Arterial-phase contrast-enhanced abdominal CT, axial slice 57 of 98 (counted from the lowest slice); tube voltage 120 kVp, convolution kernel B; slices 5.00 mm thick, 0.703 mm per pixel.
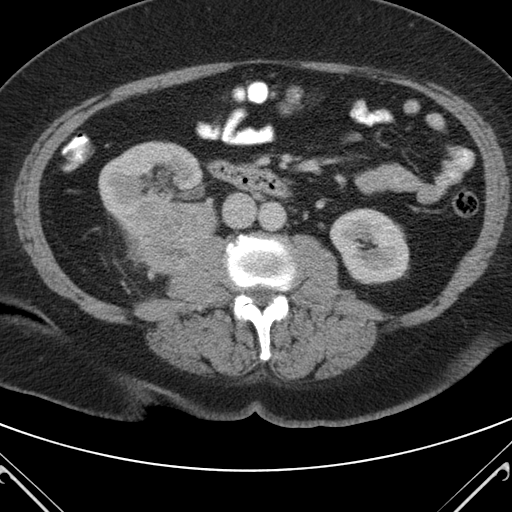
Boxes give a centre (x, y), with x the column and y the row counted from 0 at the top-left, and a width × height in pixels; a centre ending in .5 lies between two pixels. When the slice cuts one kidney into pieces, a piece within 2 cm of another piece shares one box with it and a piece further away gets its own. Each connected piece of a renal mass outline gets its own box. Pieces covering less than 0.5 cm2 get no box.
Three boxes on this slice (two kidney boxes and one renal mass box), listed by box centre from the image's left to its right. (1) Right kidney in a box with centre (156.5, 191), 118 × 103 pixels (outlined area 6,841 px, about 33.8 cm2). (2) Box centre (173, 238), 93 × 75 pixels: right renal mass (outlined area 4,482 px, about 22.2 cm2). (3) Left kidney, box centre (369, 246), 81 × 77 pixels (outlined area 4,680 px, about 23.1 cm2).